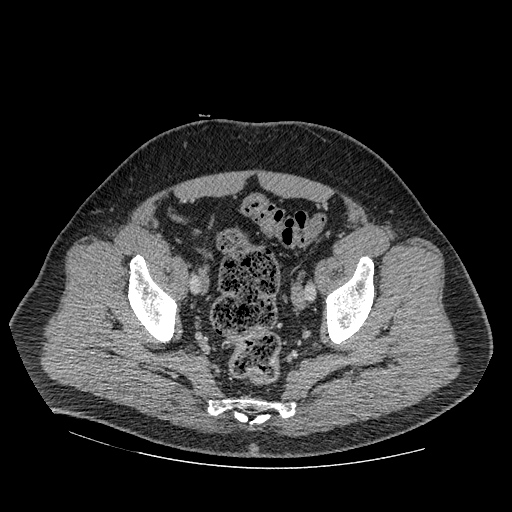
Slice 119/445 of a contrast-enhanced abdominal CT in the arterial phase, counting up from the lowest; pixel size 0.863 mm, slice thickness 1.25 mm. No kidney and no renal mass is outlined on this slice; the outlines in this scan cover only the kidneys and the renal masses, so nothing is said about any other organ.
Acquired at 120 kVp and reconstructed with the STANDARD kernel.